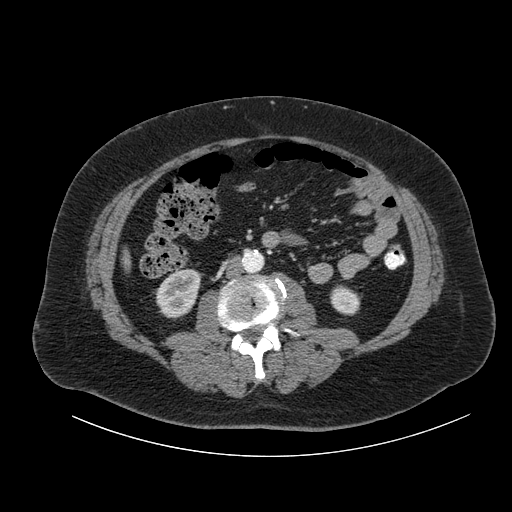
Abdominal CT with intravenous contrast, axial plane, 120 kVp, kernel B. Slice 31/105 from the bottom of the scan; thickness 3.00 mm; pixel size 0.977 mm.
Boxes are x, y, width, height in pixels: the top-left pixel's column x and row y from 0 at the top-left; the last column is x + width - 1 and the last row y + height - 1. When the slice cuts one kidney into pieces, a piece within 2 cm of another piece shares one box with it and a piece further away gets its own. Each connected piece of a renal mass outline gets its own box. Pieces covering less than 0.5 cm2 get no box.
Boxed on this slice (two kidney boxes), listed by box centre from the image's left to its right: (1) Right kidney at x 154, y 268, width 47, height 52 (outlined area 1,725 px, about 16.5 cm2). (2) Box x 330, y 285, width 31, height 31: left kidney (outlined area 725 px, about 6.9 cm2). No renal mass is outlined on this slice.